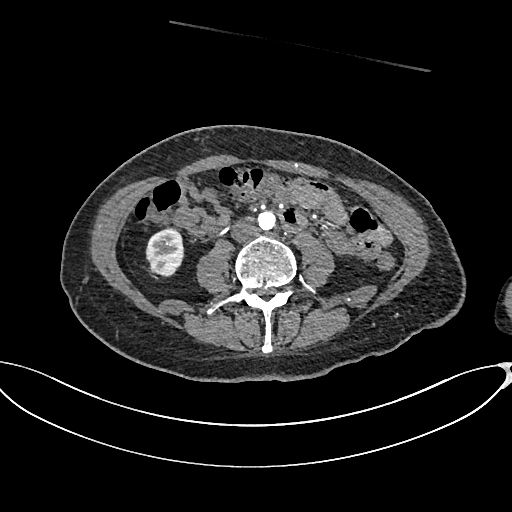
Arterial-phase contrast-enhanced abdominal CT, axial slice 291 of 665 (counted from the lowest slice); tube voltage 100 kVp, convolution kernel I26f; slices 1.00 mm thick, 0.828 mm per pixel.
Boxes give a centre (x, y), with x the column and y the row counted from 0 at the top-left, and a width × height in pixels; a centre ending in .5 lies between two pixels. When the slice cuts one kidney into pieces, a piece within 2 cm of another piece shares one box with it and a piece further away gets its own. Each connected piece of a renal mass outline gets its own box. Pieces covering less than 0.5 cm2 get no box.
Right kidney, box centre (164, 252.5), 39 × 48 pixels (outlined area 1,456 px, about 10.0 cm2). No renal mass outline on this slice.